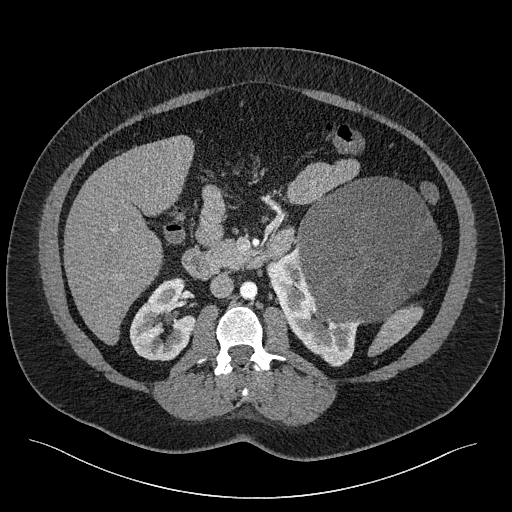
One axial slice (128 of 301, counting up from the lowest) of a contrast-enhanced abdominal CT acquired with 120 kVp, kernel I40f; each pixel is 0.859 mm and the slice is 2.00 mm thick.
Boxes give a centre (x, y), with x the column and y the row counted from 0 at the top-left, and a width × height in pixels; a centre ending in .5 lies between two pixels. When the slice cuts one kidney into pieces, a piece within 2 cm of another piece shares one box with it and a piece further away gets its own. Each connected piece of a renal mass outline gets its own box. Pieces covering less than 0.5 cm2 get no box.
Boxed on this slice (two kidney boxes and one renal mass box), listed by box centre from the image's left to its right: (1) Box centre (162, 319), 67 × 85 pixels: right kidney (outlined area 3,738 px, about 27.6 cm2). (2) Box centre (313, 305.5), 95 × 122 pixels: left kidney (outlined area 4,374 px, about 32.3 cm2). (3) Left renal mass in a box with centre (368, 251), 147 × 149 pixels (outlined area 16,299 px, about 120.4 cm2).